Axial slice 191 of 261 of a contrast-enhanced abdominal CT in the arterial phase (slice 1 is the lowest), 120 kVp, kernel I30f; 2.00 mm slice thickness and 0.939 mm pixels.
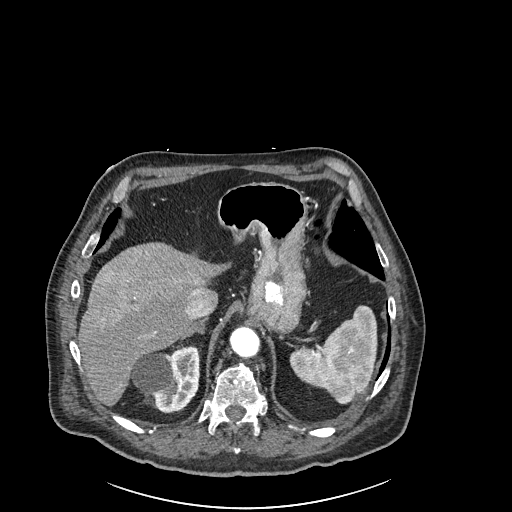
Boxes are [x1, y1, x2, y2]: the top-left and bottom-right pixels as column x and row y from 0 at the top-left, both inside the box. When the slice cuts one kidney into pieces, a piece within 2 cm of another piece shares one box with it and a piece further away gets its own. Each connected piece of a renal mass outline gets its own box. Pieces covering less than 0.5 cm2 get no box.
Right kidney at [130, 345, 199, 413] (outlined area 3,349 px, about 29.6 cm2). This slice carries no renal mass outline.